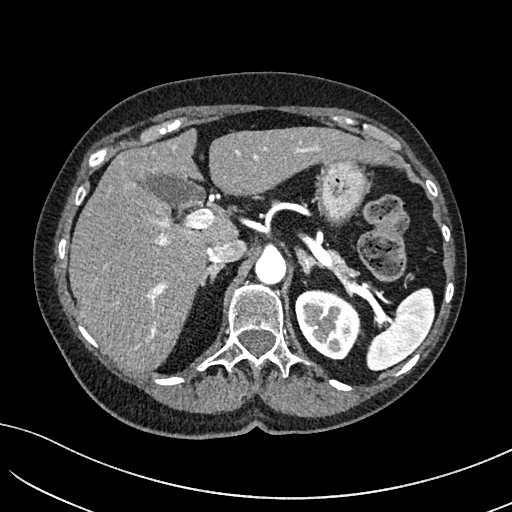
One axial slice (114 of 234, counting up from the lowest) of an arterial-phase abdominal CT acquired with 100 kVp, kernel I40f; each pixel is 0.699 mm and the slice is 2.00 mm thick.
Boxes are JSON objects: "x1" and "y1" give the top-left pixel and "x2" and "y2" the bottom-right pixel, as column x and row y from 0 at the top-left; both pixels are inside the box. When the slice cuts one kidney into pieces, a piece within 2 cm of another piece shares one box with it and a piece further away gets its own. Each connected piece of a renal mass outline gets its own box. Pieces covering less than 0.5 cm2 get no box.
Box {"x1": 295, "y1": 289, "x2": 360, "y2": 359}: left kidney (outlined area 3,442 px, about 16.8 cm2). No renal mass outline on this slice.